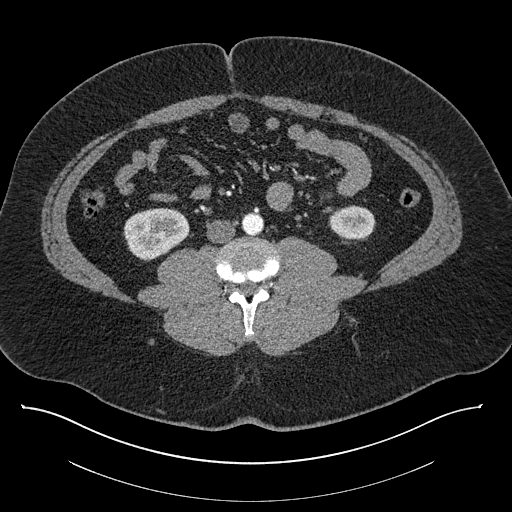
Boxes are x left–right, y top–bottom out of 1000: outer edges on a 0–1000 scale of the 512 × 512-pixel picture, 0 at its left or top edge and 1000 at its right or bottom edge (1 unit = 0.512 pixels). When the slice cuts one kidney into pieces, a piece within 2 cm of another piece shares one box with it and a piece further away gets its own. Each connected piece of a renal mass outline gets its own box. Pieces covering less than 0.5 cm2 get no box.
Contrast-enhanced abdominal CT, axial slice 363 of 787 (counted from the lowest slice); 1.00 mm thick, 0.910 mm per pixel. Boxed on this slice (two kidney boxes), listed by box centre from the image's left to its right: (1) Right kidney, box x 240–371, y 406–512 out of 1000 (outlined area 2,628 px, about 21.8 cm2). (2) Box x 641–734, y 400–467 out of 1000: left kidney (outlined area 1,283 px, about 10.6 cm2). No renal mass outline on this slice.
Acquired at 140 kVp and reconstructed with the I30f kernel.